Abdominal CT with intravenous contrast, arterial phase, axial plane, 120 kVp, kernel I30f. Slice 313/705 from the bottom of the scan; thickness 1.00 mm; pixel size 0.703 mm.
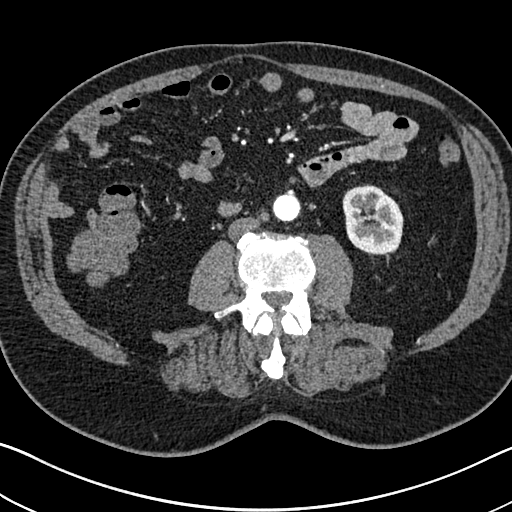
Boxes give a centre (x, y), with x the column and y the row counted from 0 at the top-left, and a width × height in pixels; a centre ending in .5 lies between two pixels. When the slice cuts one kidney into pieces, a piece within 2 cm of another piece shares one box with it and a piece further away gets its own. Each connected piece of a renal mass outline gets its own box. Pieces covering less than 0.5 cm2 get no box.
Left kidney in a box with centre (372.5, 219), 62 × 71 pixels (outlined area 3,436 px, about 17.0 cm2). This slice carries no renal mass outline.